Arterial-phase contrast-enhanced abdominal CT, axial slice 176 of 279 (counted from the lowest slice); tube voltage 120 kVp, convolution kernel B31f; slices 2.00 mm thick, 0.824 mm per pixel.
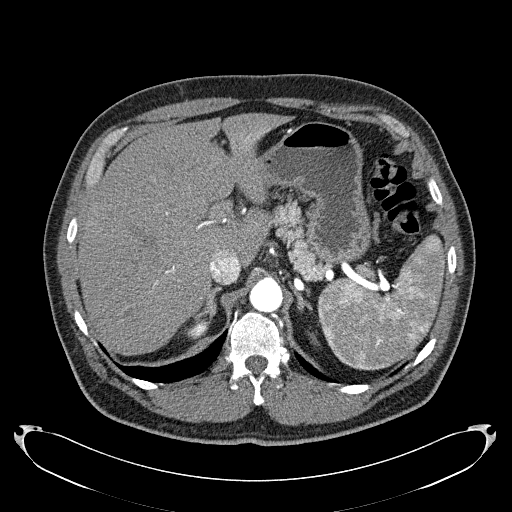
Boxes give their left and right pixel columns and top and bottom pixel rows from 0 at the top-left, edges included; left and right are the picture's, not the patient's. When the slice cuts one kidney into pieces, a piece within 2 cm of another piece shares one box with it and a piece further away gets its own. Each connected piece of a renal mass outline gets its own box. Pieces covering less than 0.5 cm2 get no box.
Two boxes on this slice (two kidney boxes), listed by box centre from the image's left to its right. (1) Box with left 184, top 322, right 209, bottom 339: right kidney (outlined area 318 px, about 2.2 cm2). (2) Left kidney in the box with left 308, top 333, right 319, bottom 345 (outlined area 80 px, about 0.5 cm2). No renal mass outline on this slice.